One axial slice (74 of 102, counting up from the lowest) of an arterial-phase abdominal CT acquired with 100 kVp, kernel I40f; each pixel is 0.781 mm and the slice is 5.00 mm thick.
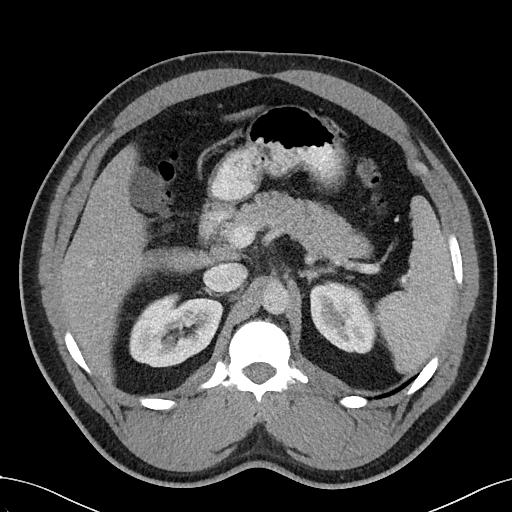
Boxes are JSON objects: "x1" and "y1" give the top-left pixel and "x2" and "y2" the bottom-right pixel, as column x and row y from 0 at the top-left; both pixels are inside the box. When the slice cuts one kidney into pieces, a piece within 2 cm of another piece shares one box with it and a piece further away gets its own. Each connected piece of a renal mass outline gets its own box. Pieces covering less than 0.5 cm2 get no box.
Two kidney boxes on this slice; by box centre, from the image's left to its right: (1) Right kidney, box {"x1": 129, "y1": 292, "x2": 223, "y2": 367} (outlined area 5,158 px, about 31.5 cm2). (2) Box {"x1": 310, "y1": 281, "x2": 376, "y2": 353}: left kidney (outlined area 3,576 px, about 21.8 cm2). No renal mass is outlined on this slice.